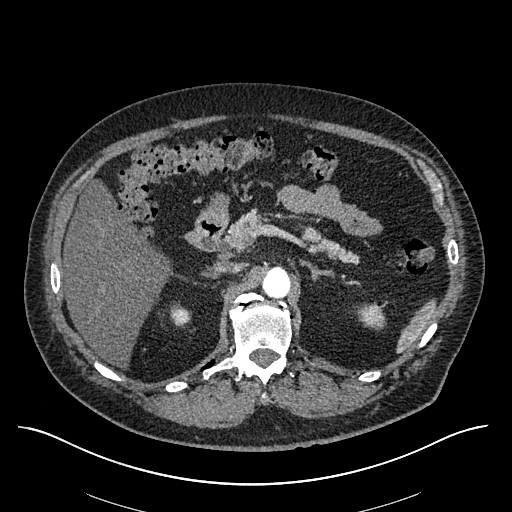
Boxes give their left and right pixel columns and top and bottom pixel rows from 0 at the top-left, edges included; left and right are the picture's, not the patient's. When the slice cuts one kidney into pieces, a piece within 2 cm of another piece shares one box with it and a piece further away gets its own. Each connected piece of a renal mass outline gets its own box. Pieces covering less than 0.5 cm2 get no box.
Slice 404/670 of a contrast-enhanced abdominal CT in the arterial phase, counting up from the lowest; pixel size 0.861 mm, slice thickness 1.00 mm. Right kidney in the box with left 170, top 303, right 189, bottom 326 (outlined area 356 px, about 2.6 cm2). This slice carries no renal mass outline.
Tube voltage 120 kVp; convolution kernel I30f.